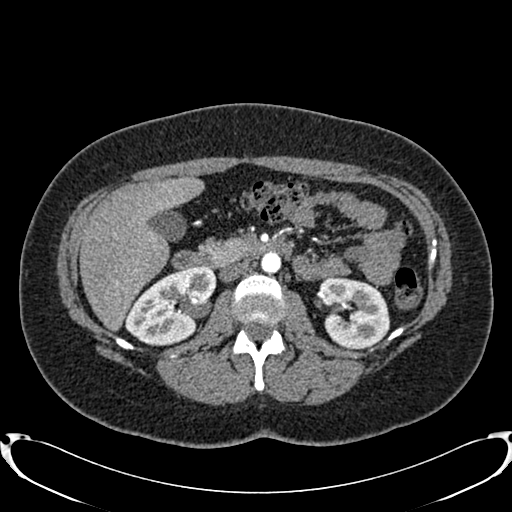
One axial slice (462 of 719, counting up from the lowest) of an arterial-phase abdominal CT acquired with 120 kVp, kernel B20f; each pixel is 0.766 mm and the slice is 1.00 mm thick.
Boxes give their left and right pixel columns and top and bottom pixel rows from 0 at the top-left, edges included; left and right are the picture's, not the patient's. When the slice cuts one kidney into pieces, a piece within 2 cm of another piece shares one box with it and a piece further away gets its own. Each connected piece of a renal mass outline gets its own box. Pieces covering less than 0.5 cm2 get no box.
Two kidney boxes on this slice; by box centre, from the image's left to its right: (1) Right kidney in the box with left 125, top 266, right 216, bottom 345 (outlined area 4,921 px, about 28.8 cm2). (2) Left kidney, the box with left 316, top 277, right 390, bottom 349 (outlined area 3,972 px, about 23.3 cm2). No renal mass outline on this slice.